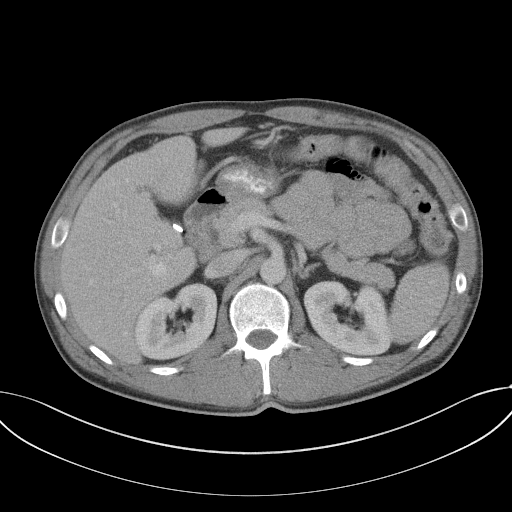
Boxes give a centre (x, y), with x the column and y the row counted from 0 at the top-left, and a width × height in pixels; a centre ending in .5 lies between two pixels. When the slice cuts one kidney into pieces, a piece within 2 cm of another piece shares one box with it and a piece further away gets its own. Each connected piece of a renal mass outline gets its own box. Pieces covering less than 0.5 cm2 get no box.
Slice 72/102 of a contrast-enhanced abdominal CT, counting up from the lowest; pixel size 0.807 mm, slice thickness 5.00 mm. Two boxes on this slice (two kidney boxes), listed by box centre from the image's left to its right. (1) Right kidney, box centre (175.5, 321), 84 × 79 pixels (outlined area 4,655 px, about 30.3 cm2). (2) Left kidney, box centre (346.5, 317), 88 × 77 pixels (outlined area 4,975 px, about 32.4 cm2). No renal mass is outlined on this slice.
Scan settings: 120 kVp, B41f reconstruction kernel.